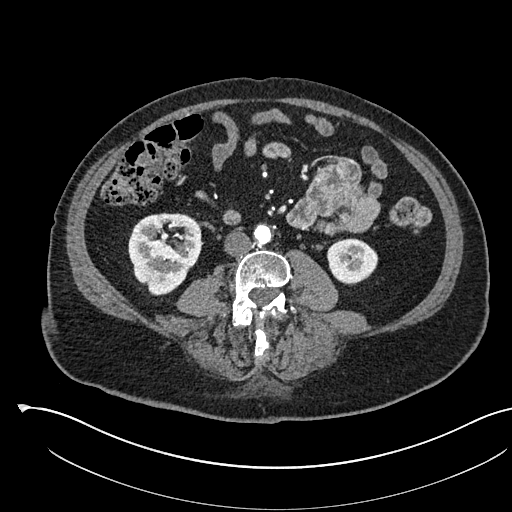
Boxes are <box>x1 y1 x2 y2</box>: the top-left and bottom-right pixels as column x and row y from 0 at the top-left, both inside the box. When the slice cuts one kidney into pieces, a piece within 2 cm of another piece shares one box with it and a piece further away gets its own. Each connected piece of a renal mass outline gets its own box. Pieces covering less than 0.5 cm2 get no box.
This is axial slice 237 of 541 (slice 1 is the lowest) of an arterial-phase abdominal CT with contrast; each pixel is 0.834 mm and the slice is 1.00 mm thick. Boxed on this slice (two kidney boxes), listed by box centre from the image's left to its right: (1) Right kidney: <box>128 212 201 295</box> (outlined area 4,638 px, about 32.3 cm2). (2) Left kidney: <box>327 238 378 285</box> (outlined area 1,857 px, about 12.9 cm2). No renal mass outline on this slice.
Acquired at 120 kVp and reconstructed with the I30f kernel.